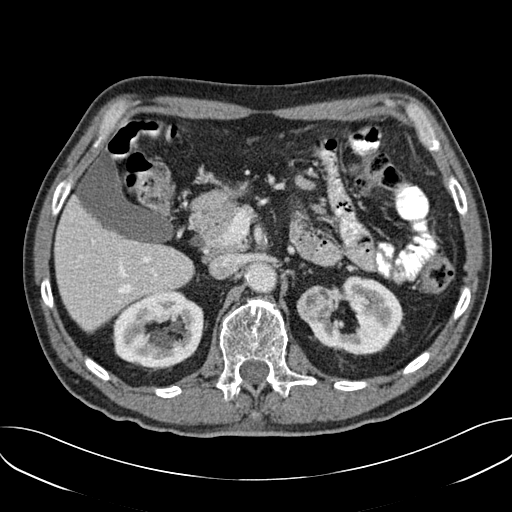
Abdominal CT with intravenous contrast, arterial phase, axial plane, 120 kVp, kernel B30f. Slice 111/157 from the bottom of the scan; thickness 3.00 mm; pixel size 0.742 mm.
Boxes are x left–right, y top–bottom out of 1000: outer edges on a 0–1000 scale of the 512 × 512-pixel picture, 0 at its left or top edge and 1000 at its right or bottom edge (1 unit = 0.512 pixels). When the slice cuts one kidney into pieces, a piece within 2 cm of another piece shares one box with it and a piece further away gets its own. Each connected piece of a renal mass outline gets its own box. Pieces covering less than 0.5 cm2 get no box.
Three boxes on this slice (two kidney boxes and one renal mass box), listed by box centre from the image's left to its right. (1) Box x 221–398, y 564–721 out of 1000: right kidney (outlined area 5,554 px, about 30.6 cm2). (2) Box x 578–654, y 555–631 out of 1000: left renal mass (outlined area 1,151 px, about 6.3 cm2). (3) Left kidney, box x 600–787, y 537–693 out of 1000 (outlined area 4,579 px, about 25.2 cm2).